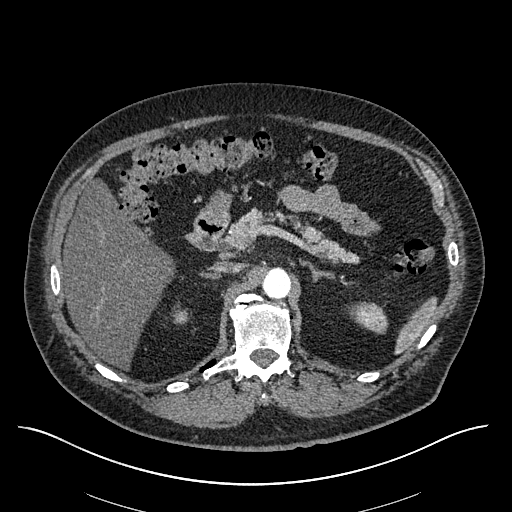
Abdominal CT with intravenous contrast, arterial phase, axial plane, 120 kVp, kernel I30f. Slice 406/670 from the bottom of the scan; thickness 1.00 mm; pixel size 0.861 mm.
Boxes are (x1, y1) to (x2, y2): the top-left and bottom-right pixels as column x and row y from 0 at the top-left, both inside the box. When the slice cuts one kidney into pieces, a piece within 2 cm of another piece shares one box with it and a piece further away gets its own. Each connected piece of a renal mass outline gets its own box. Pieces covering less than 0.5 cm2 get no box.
Right kidney, box (173, 306) to (184, 321) (outlined area 145 px, about 1.1 cm2). This slice carries no renal mass outline.